Axial slice 212 of 541 of a contrast-enhanced abdominal CT in the arterial phase (slice 1 is the lowest), 120 kVp, kernel I30f; 1.00 mm slice thickness and 0.834 mm pixels.
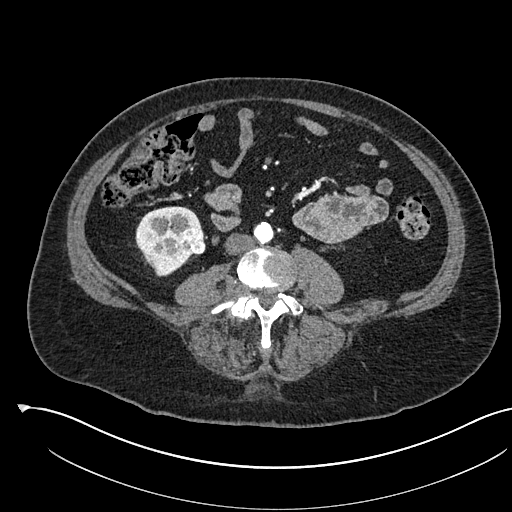
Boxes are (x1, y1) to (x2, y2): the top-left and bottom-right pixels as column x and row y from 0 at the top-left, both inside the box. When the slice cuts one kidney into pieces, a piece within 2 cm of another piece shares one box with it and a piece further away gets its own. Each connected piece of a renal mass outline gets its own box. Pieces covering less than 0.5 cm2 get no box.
Two boxes on this slice (one kidney box and one renal mass box), listed by box centre from the image's left to its right. (1) Right kidney, box (135, 206) to (201, 276) (outlined area 2,954 px, about 20.5 cm2). (2) Right renal mass, box (175, 228) to (205, 255) (outlined area 683 px, about 4.8 cm2).